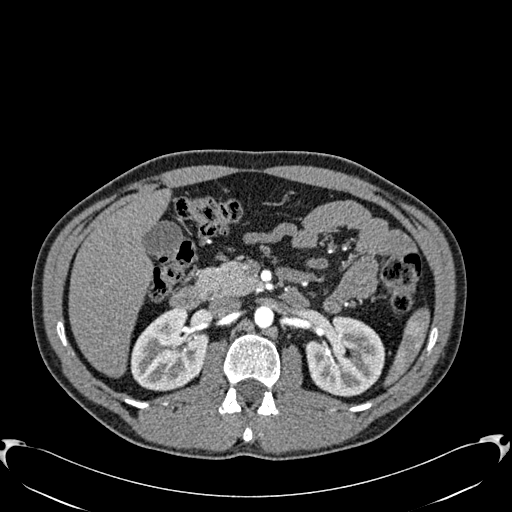
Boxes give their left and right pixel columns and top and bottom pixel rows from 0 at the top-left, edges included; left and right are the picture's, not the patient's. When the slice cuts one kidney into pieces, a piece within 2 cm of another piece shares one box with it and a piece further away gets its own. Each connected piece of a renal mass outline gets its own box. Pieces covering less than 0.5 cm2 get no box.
This is axial slice 372 of 512 (slice 1 is the lowest) of an arterial-phase abdominal CT with contrast; each pixel is 0.771 mm and the slice is 1.00 mm thick. Two kidney boxes on this slice; by box centre, from the image's left to its right: (1) Box with left 130, top 308, right 207, bottom 391: right kidney (outlined area 4,741 px, about 28.2 cm2). (2) Left kidney, the box with left 305, top 316, right 385, bottom 396 (outlined area 4,911 px, about 29.2 cm2). No renal mass outline on this slice.
Tube voltage 120 kVp; convolution kernel B30f.